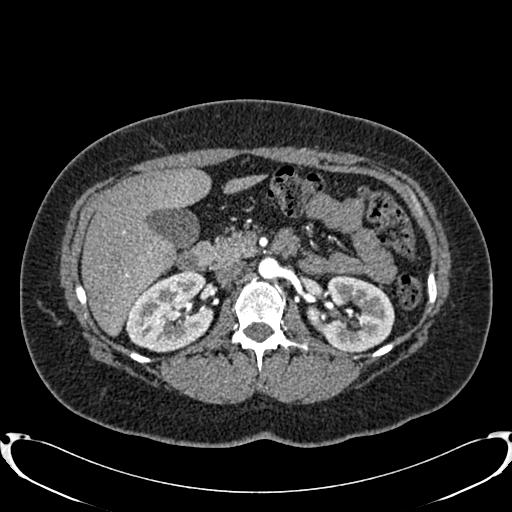
Abdominal CT with intravenous contrast, arterial phase, axial plane, 120 kVp, kernel B20f. Slice 493/719 from the bottom of the scan; thickness 1.00 mm; pixel size 0.766 mm.
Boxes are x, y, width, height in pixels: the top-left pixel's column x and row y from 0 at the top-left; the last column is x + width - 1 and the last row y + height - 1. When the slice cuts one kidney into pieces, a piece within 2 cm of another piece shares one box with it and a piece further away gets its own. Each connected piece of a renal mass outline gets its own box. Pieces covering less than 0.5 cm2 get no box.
Two kidney boxes on this slice; by box centre, from the image's left to its right: (1) Right kidney, box x 125, y 269, width 89, height 84 (outlined area 5,267 px, about 30.9 cm2). (2) Left kidney, box x 322, y 275, width 73, height 78 (outlined area 4,313 px, about 25.3 cm2). This slice carries no renal mass outline.